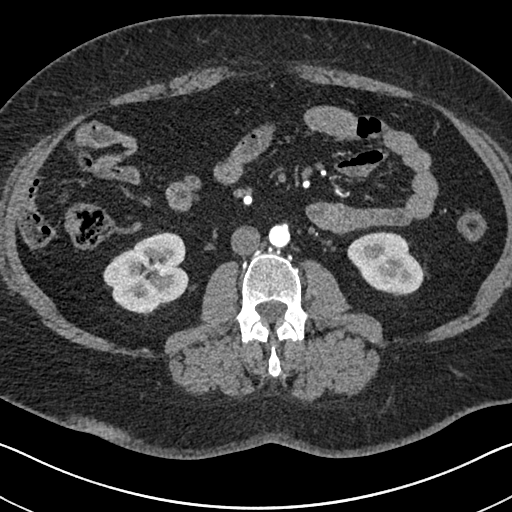
Axial slice 325 of 591 of a contrast-enhanced abdominal CT in the arterial phase (slice 1 is the lowest), 140 kVp, kernel I30f; 1.00 mm slice thickness and 0.703 mm pixels.
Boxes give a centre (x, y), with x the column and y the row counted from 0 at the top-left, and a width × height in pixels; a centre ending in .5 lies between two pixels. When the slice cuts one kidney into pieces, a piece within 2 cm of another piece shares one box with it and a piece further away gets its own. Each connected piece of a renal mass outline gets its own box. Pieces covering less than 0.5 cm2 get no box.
Boxed on this slice (two kidney boxes), listed by box centre from the image's left to its right: (1) Right kidney in a box with centre (145.5, 273.5), 86 × 84 pixels (outlined area 5,058 px, about 25.0 cm2). (2) Box centre (386.5, 263.5), 80 × 66 pixels: left kidney (outlined area 3,512 px, about 17.4 cm2). This slice carries no renal mass outline.